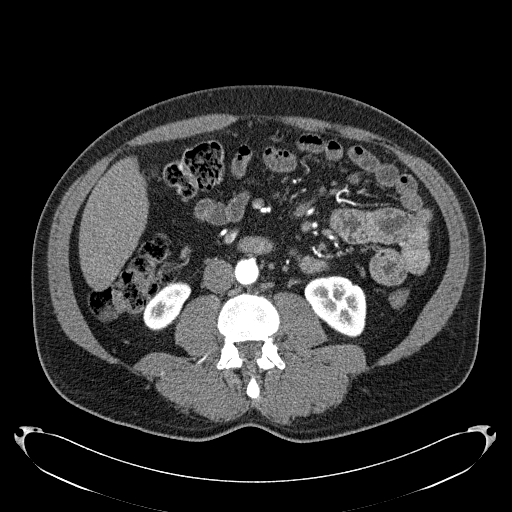
Axial slice 80 of 279 of a contrast-enhanced abdominal CT in the arterial phase (slice 1 is the lowest), 120 kVp, kernel B31f; 2.00 mm slice thickness and 0.824 mm pixels.
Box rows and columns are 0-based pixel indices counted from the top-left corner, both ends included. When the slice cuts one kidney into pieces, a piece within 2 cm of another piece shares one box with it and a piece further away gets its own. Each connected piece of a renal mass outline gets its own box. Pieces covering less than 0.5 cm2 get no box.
Two boxes on this slice (two kidney boxes), listed by box centre from the image's left to its right. (1) Right kidney, box rows 280–330, columns 143–191 (outlined area 1,557 px, about 10.6 cm2). (2) Box rows 275–337, columns 304–366: left kidney (outlined area 2,836 px, about 19.3 cm2). No renal mass is outlined on this slice.